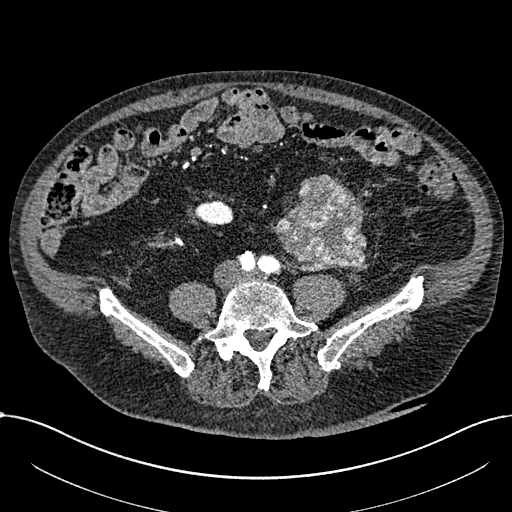
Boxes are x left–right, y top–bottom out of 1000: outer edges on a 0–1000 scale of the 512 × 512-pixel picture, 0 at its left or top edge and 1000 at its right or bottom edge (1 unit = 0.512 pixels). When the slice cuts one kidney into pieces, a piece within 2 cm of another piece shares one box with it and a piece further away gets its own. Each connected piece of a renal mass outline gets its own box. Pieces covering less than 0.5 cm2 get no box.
Arterial-phase contrast-enhanced abdominal CT, axial slice 203 of 1059 (counted from the lowest slice); 1.00 mm thick, 0.811 mm per pixel. One kidney box and one renal mass box on this slice; by box centre, from the image's left to its right: (1) Right part of the midline-crossing kidney, box x 379–457, y 391–441 out of 1000 (outlined area 770 px, about 5.1 cm2). (2) Box x 535–717, y 340–529 out of 1000: renal mass (outlined area 6,399 px, about 42.0 cm2); on this slice it lies more than 1 cm from any kidney outline, but the same outlined renal mass comes within 1 cm of the kidney on another slice.
Acquired at 100 kVp and reconstructed with the I30f kernel.